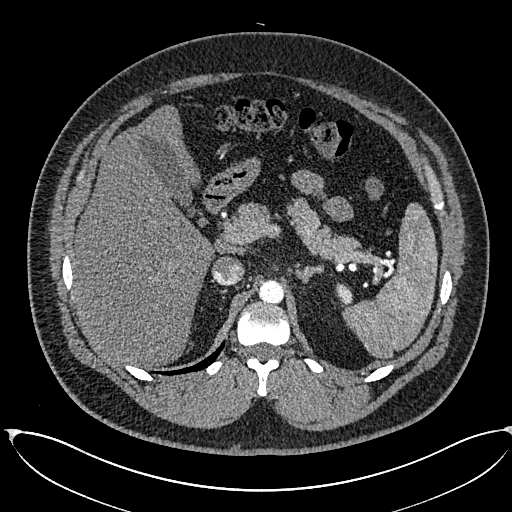
Abdominal CT with intravenous contrast, arterial phase, axial plane, 120 kVp, kernel I30f. Slice 438/673 from the bottom of the scan; thickness 1.00 mm; pixel size 0.855 mm.
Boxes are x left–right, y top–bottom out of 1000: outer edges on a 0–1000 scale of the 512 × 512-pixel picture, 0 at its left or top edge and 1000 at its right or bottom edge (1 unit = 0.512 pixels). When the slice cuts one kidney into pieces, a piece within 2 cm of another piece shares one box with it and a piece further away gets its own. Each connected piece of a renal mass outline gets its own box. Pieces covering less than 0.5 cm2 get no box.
Left kidney, box x 654–688, y 555–590 out of 1000 (outlined area 226 px, about 1.7 cm2). No renal mass outline on this slice.